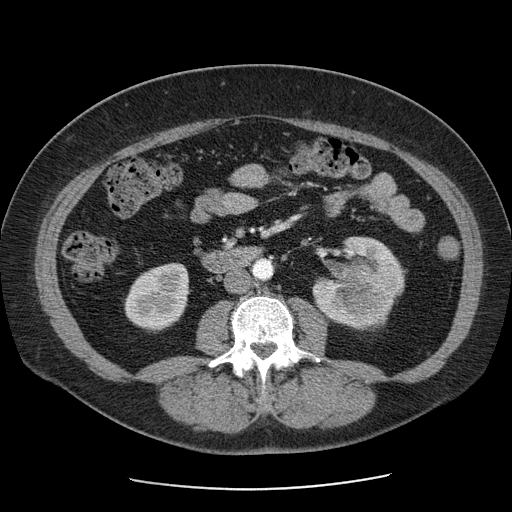
Contrast-enhanced abdominal CT, axial slice 29 of 103 (counted from the lowest slice); tube voltage 120 kVp, convolution kernel STANDARD; slices 2.50 mm thick, 0.736 mm per pixel.
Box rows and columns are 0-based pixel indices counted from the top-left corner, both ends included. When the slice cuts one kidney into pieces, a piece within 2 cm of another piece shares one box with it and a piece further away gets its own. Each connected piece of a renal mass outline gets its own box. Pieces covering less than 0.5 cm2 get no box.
Two kidney boxes and one renal mass box on this slice; by box centre, from the image's left to its right: (1) Right kidney at rows 263–333, columns 124–189 (outlined area 3,447 px, about 18.7 cm2). (2) Left kidney, box rows 236–327, columns 312–404 (outlined area 4,086 px, about 22.2 cm2). (3) Box rows 272–331, columns 337–385: left renal mass (outlined area 2,200 px, about 11.9 cm2).